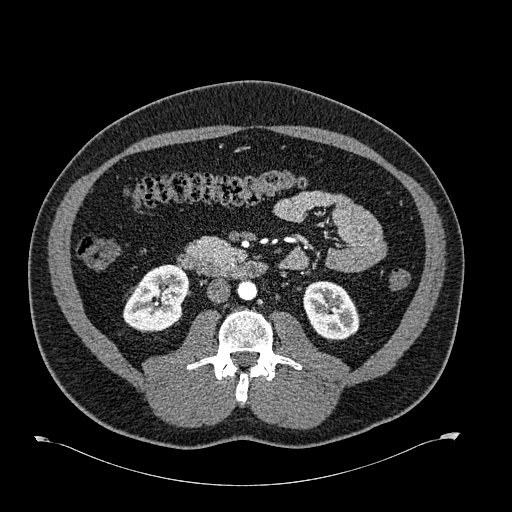
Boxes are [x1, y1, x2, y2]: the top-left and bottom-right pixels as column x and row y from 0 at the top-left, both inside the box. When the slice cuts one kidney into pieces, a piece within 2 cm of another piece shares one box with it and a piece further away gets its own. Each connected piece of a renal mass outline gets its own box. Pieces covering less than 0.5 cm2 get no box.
Slice 320/723 of a contrast-enhanced abdominal CT in the arterial phase, counting up from the lowest; pixel size 0.895 mm, slice thickness 1.00 mm. Boxed on this slice (two kidney boxes), listed by box centre from the image's left to its right: (1) Right kidney at [122, 264, 187, 332] (outlined area 3,237 px, about 25.9 cm2). (2) Box [303, 281, 359, 341]: left kidney (outlined area 2,593 px, about 20.7 cm2). No renal mass is outlined on this slice.
Scan settings: 120 kVp, B30f reconstruction kernel.